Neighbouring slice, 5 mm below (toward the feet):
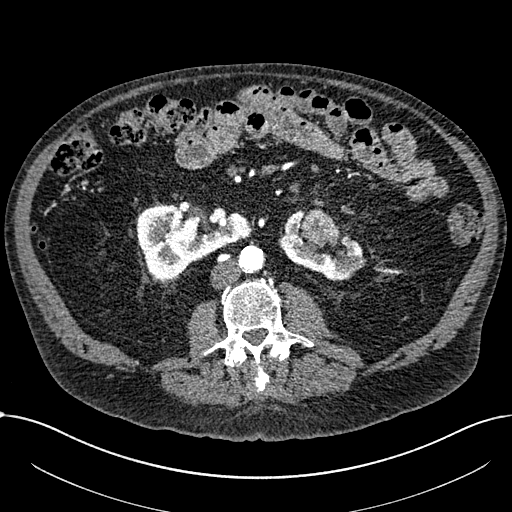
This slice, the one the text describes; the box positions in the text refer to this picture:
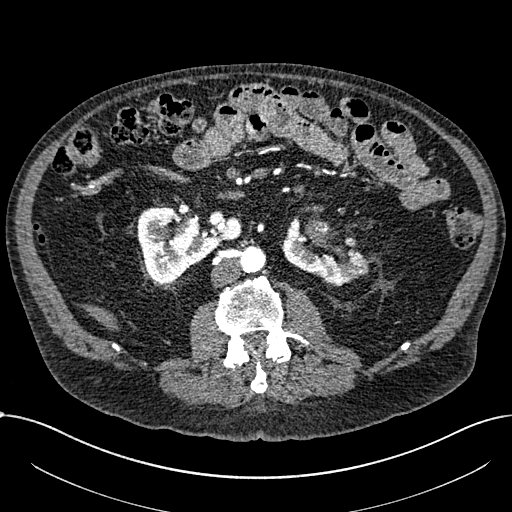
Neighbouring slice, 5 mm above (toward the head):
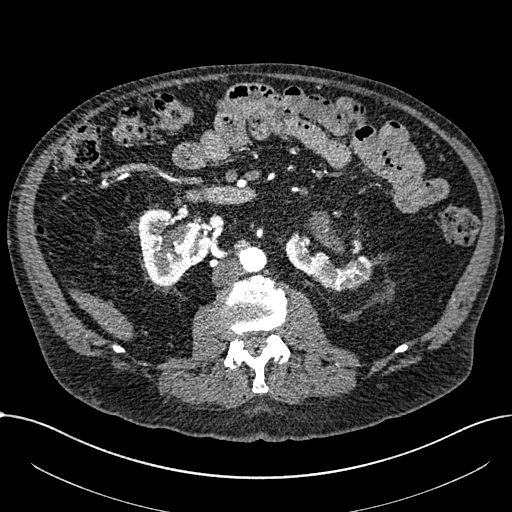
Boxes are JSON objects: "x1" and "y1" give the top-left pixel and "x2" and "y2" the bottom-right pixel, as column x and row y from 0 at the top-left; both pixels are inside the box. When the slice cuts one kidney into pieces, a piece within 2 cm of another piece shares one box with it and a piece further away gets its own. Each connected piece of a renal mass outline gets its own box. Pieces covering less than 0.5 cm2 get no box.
This is axial slice 340 of 1059 (slice 1 is the lowest) of an arterial-phase abdominal CT with contrast; each pixel is 0.811 mm and the slice is 1.00 mm thick. Two kidney boxes and one renal mass box on this slice; by box centre, from the image's left to its right: (1) Right part of the midline-crossing kidney at {"x1": 137, "y1": 206, "x2": 242, "y2": 282} (outlined area 5,127 px, about 33.7 cm2). (2) Box {"x1": 281, "y1": 217, "x2": 368, "y2": 286}: left part of the midline-crossing kidney (outlined area 2,578 px, about 16.9 cm2). (3) Renal mass at {"x1": 304, "y1": 216, "x2": 348, "y2": 263} (outlined area 941 px, about 6.2 cm2). This slice lies near the end of a renal mass toward the head; the slices 5 mm below and 5 mm above it are shown too, and the boxes mark positions on this slice only.
Acquired at 100 kVp and reconstructed with the I30f kernel.